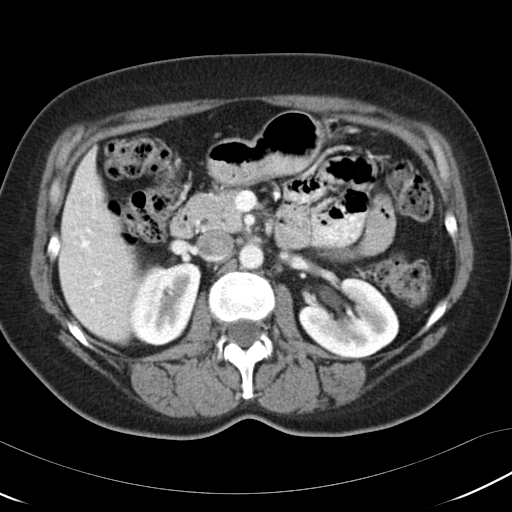
Axial slice 67 of 97 of a contrast-enhanced abdominal CT (slice 1 is the lowest), 120 kVp, kernel B30f; 5.00 mm slice thickness and 0.664 mm pixels.
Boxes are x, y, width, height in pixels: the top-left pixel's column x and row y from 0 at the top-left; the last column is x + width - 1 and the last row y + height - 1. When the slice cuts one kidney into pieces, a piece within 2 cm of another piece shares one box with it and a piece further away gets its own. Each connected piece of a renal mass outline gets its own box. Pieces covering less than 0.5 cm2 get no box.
Two boxes on this slice (two kidney boxes), listed by box centre from the image's left to its right. (1) Right kidney, box x 129, y 262, width 73, height 84 (outlined area 4,608 px, about 20.3 cm2). (2) Left kidney at x 298, y 277, width 102, height 82 (outlined area 5,704 px, about 25.2 cm2). No renal mass outline on this slice.